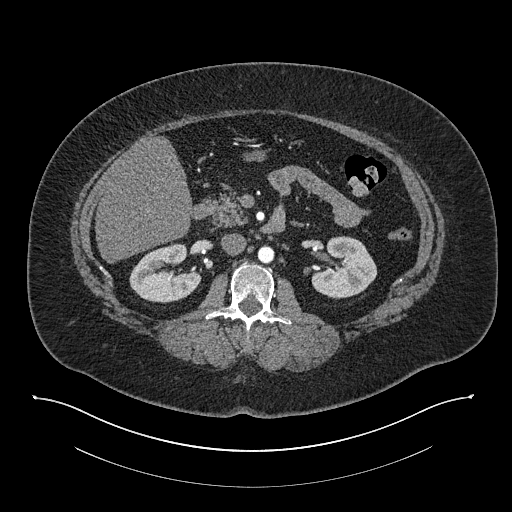
Abdominal CT with intravenous contrast, arterial phase, axial plane, 140 kVp, kernel I30f. Slice 460/673 from the bottom of the scan; thickness 1.00 mm; pixel size 0.957 mm.
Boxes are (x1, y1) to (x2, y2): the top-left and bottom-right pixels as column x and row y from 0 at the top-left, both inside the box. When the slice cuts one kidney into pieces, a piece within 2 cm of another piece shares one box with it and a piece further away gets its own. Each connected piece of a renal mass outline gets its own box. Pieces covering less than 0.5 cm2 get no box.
Boxed on this slice (two kidney boxes), listed by box centre from the image's left to its right: (1) Box (129, 243) to (201, 302): right kidney (outlined area 3,001 px, about 27.5 cm2). (2) Box (311, 236) to (377, 298): left kidney (outlined area 3,007 px, about 27.5 cm2). This slice carries no renal mass outline.